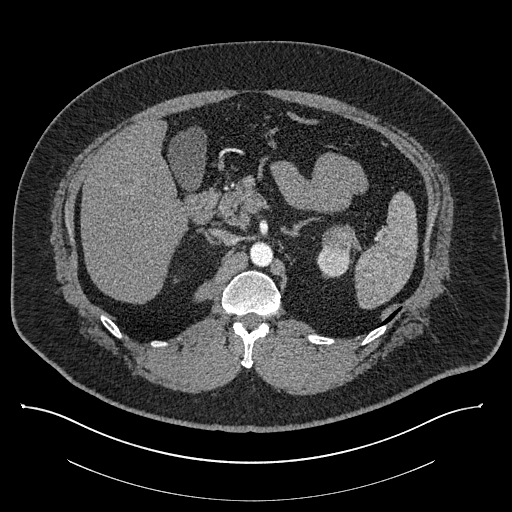
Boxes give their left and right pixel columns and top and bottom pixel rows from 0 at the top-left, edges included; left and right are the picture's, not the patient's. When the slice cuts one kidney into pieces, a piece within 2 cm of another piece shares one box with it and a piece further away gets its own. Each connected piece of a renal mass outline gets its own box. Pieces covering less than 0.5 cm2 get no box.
Slice 556/787 of a contrast-enhanced abdominal CT, counting up from the lowest; pixel size 0.910 mm, slice thickness 1.00 mm. Boxed on this slice (one kidney box and one renal mass box), listed by box centre from the image's left to its right: (1) Left kidney in the box with left 316, top 246, right 350, bottom 277 (outlined area 764 px, about 6.3 cm2). (2) Box with left 322, top 225, right 354, bottom 253: left renal mass (outlined area 738 px, about 6.1 cm2).
Scan settings: 140 kVp, I30f reconstruction kernel.